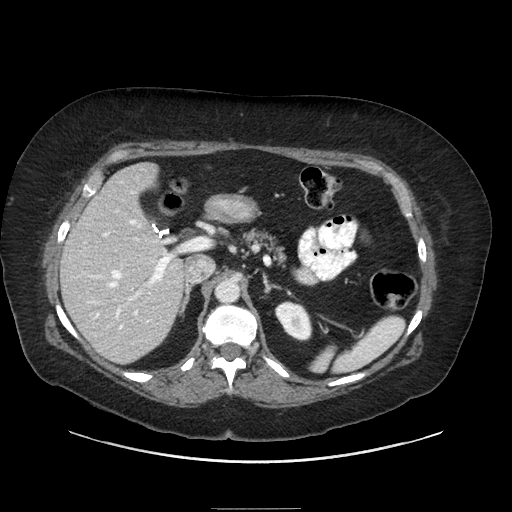
One axial slice (145 of 186, counting up from the lowest) of a contrast-enhanced abdominal CT acquired with 120 kVp, kernel STANDARD; each pixel is 0.850 mm and the slice is 2.50 mm thick.
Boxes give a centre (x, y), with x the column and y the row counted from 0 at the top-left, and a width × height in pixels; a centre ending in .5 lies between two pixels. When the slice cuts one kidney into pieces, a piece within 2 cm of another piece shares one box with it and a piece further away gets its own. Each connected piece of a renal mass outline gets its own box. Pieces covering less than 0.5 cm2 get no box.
Left kidney, box centre (293, 321), 39 × 41 pixels (outlined area 1,112 px, about 8.0 cm2). This slice carries no renal mass outline.